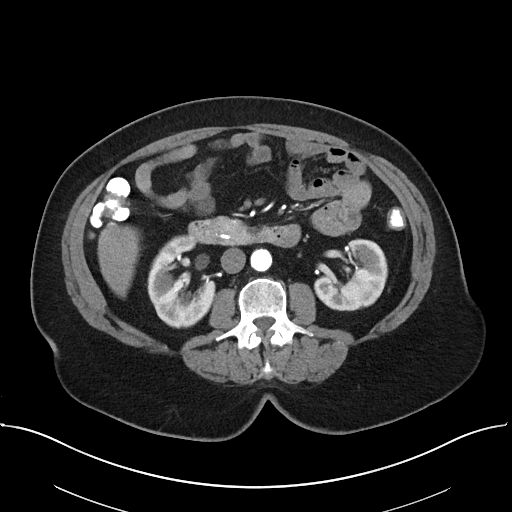
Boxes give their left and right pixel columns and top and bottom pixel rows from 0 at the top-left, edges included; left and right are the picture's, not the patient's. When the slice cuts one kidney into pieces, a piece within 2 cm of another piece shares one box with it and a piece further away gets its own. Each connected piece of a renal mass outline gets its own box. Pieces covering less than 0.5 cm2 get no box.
Arterial-phase contrast-enhanced abdominal CT, axial slice 16 of 38 (counted from the lowest slice); 5.00 mm thick, 0.822 mm per pixel. Two kidney boxes on this slice; by box centre, from the image's left to its right: (1) Right kidney, the box with left 147, top 234, right 215, bottom 328 (outlined area 4,233 px, about 28.6 cm2). (2) Left kidney, the box with left 314, top 239, right 387, bottom 311 (outlined area 3,665 px, about 24.8 cm2). No renal mass is outlined on this slice.
Tube voltage 100 kVp; convolution kernel I40f.